Axial slice 99 of 270 of a contrast-enhanced abdominal CT in the arterial phase (slice 1 is the lowest), 100 kVp, kernel I40f; 2.00 mm slice thickness and 0.855 mm pixels.
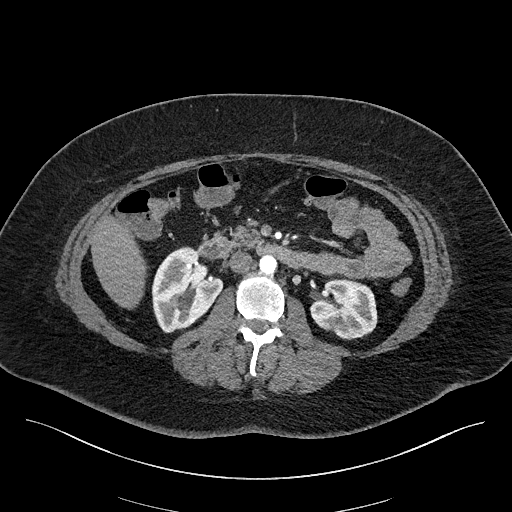
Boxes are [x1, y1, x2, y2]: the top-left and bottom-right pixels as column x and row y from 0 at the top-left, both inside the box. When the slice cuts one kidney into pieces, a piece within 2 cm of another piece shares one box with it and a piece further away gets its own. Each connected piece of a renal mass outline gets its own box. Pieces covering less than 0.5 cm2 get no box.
Boxed on this slice (two kidney boxes), listed by box centre from the image's left to its right: (1) Right kidney, box [152, 246, 223, 332] (outlined area 4,245 px, about 31.1 cm2). (2) Box [310, 279, 377, 339]: left kidney (outlined area 3,175 px, about 23.2 cm2). No renal mass is outlined on this slice.